Axial slice 46 of 106 of a contrast-enhanced abdominal CT in the arterial phase (slice 1 is the lowest), 120 kVp, kernel STANDARD; 2.50 mm slice thickness and 0.742 mm pixels.
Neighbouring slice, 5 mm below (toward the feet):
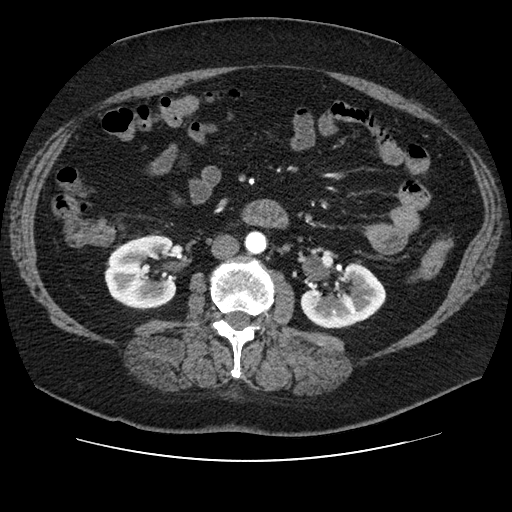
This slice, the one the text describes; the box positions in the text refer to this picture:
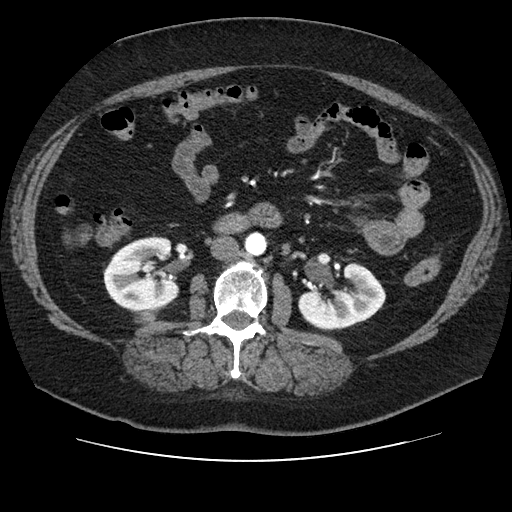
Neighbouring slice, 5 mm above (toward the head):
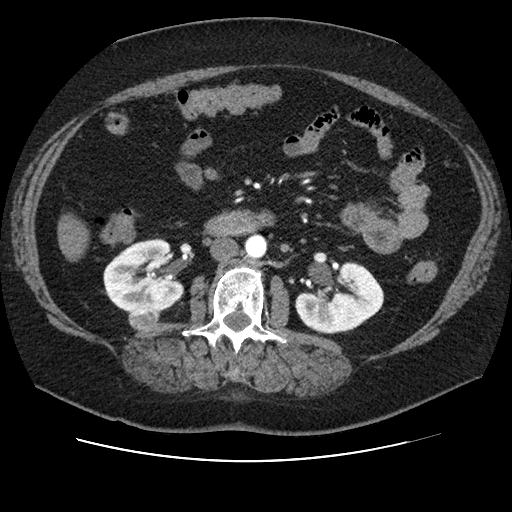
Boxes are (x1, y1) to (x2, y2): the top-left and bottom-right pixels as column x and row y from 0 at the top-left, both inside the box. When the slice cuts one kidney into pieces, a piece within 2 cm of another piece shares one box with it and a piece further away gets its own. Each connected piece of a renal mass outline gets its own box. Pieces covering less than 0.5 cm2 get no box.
Three boxes on this slice (two kidney boxes and one renal mass box), listed by box centre from the image's left to its right. (1) Right kidney, box (103, 237) to (179, 312) (outlined area 4,377 px, about 24.1 cm2). (2) Box (134, 310) to (157, 324): right renal mass (outlined area 286 px, about 1.6 cm2). (3) Left kidney from (298, 263) to (385, 330) (outlined area 3,903 px, about 21.5 cm2). This slice is near the end of the right renal mass toward the feet, so the slices 5 mm below and 5 mm above it are shown as well; the boxes refer to this slice only.